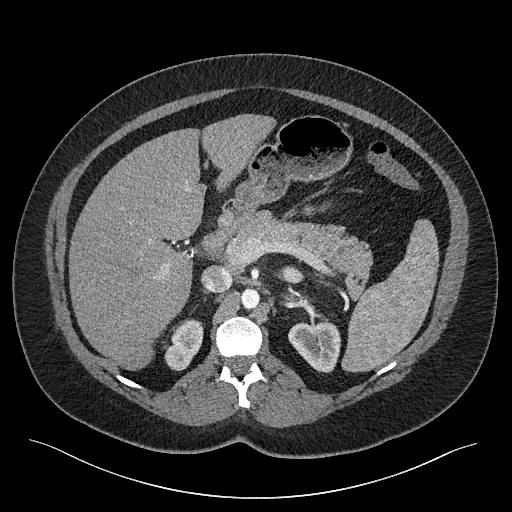
One axial slice (166 of 301, counting up from the lowest) of a contrast-enhanced abdominal CT acquired with 120 kVp, kernel I40f; each pixel is 0.859 mm and the slice is 2.00 mm thick.
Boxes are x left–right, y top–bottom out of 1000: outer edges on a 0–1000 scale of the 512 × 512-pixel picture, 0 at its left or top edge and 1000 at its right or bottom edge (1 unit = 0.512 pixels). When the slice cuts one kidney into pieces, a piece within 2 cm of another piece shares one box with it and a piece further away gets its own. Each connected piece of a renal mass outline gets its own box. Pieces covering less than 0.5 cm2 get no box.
Three boxes on this slice (three kidney boxes), listed by box centre from the image's left to its right. (1) Right kidney at x 320–398, y 623–727 out of 1000 (outlined area 1,438 px, about 10.6 cm2). (2) Left kidney (one of two boxed parts), box x 545–590, y 518–551 out of 1000 (outlined area 284 px, about 2.1 cm2). (3) Left kidney (one of two boxed parts), box x 563–668, y 627–729 out of 1000 (outlined area 2,020 px, about 14.9 cm2). No renal mass outline on this slice.